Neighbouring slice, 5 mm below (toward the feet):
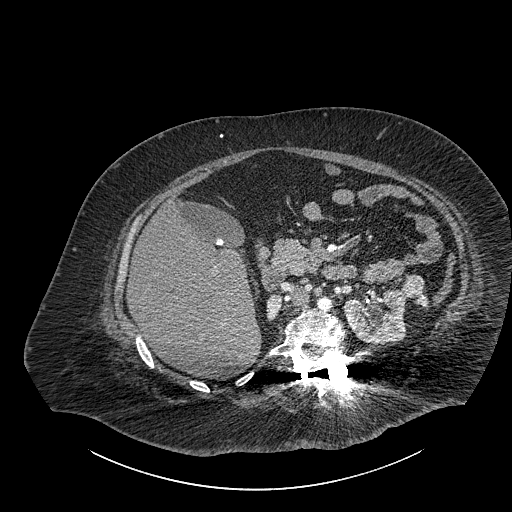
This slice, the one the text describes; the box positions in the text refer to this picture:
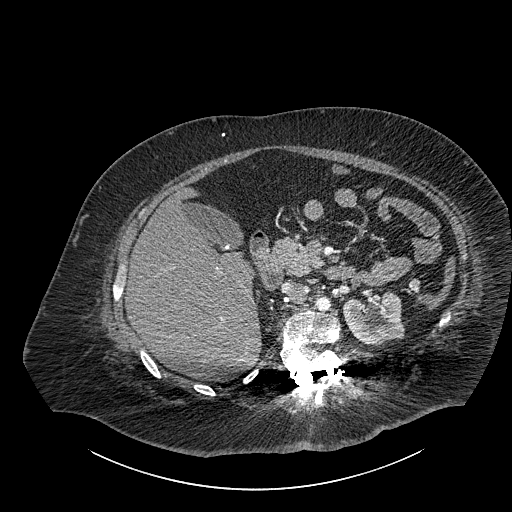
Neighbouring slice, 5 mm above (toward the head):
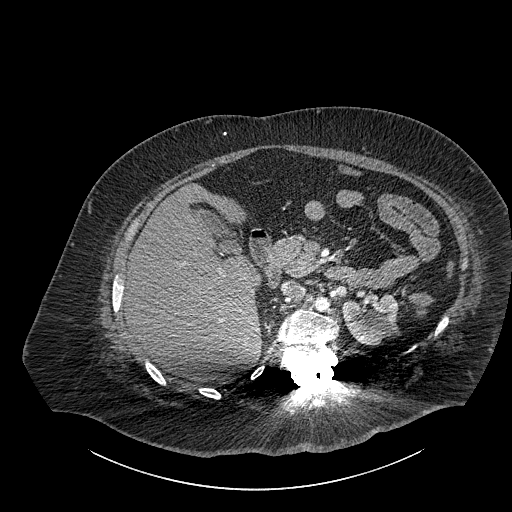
Abdominal CT with intravenous contrast, axial plane, 140 kVp, kernel I30f. Slice 580/834 from the bottom of the scan; thickness 1.00 mm; pixel size 0.977 mm.
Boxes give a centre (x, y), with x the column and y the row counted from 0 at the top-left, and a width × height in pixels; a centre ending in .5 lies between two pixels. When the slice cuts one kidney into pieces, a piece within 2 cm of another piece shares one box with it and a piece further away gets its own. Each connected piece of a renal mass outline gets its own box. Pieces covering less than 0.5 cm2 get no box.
One kidney box and one renal mass box on this slice; by box centre, from the image's left to its right: (1) Left part of the midline-crossing kidney, box centre (373, 317), 63 × 55 pixels (outlined area 2,559 px, about 24.4 cm2). (2) Box centre (413.5, 285), 12 × 15 pixels: renal mass (outlined area 150 px, about 1.4 cm2); it sits over 1 cm from every kidney outline on this slice, but the same outlined renal mass comes within 1 cm of the kidney on another slice. This slice lies near the end of a renal mass toward the head; the slices 5 mm below and 5 mm above it are shown too, and the boxes mark positions on this slice only.